One axial slice (446 of 705, counting up from the lowest) of an arterial-phase abdominal CT acquired with 120 kVp, kernel I30f; each pixel is 0.703 mm and the slice is 1.00 mm thick.
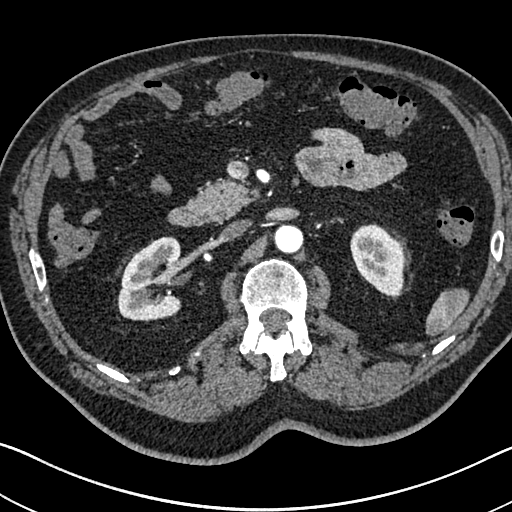
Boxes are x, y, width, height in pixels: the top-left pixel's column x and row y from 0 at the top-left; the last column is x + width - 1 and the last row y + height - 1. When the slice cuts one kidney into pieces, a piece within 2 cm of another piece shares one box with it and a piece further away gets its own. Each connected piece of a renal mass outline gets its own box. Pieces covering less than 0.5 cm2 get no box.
Boxed on this slice (two kidney boxes), listed by box centre from the image's left to its right: (1) Right kidney at x 117, y 236, width 65, height 86 (outlined area 4,157 px, about 20.6 cm2). (2) Left kidney at x 350, y 223, width 54, height 75 (outlined area 2,915 px, about 14.4 cm2). This slice carries no renal mass outline.